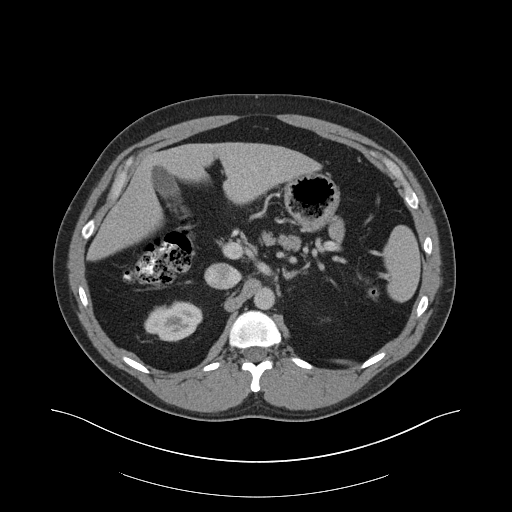
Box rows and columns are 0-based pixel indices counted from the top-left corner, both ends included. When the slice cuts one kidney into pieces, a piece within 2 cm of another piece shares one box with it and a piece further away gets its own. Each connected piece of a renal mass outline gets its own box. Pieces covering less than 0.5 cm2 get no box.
Slice 124/159 of a contrast-enhanced abdominal CT in the arterial phase, counting up from the lowest; pixel size 0.977 mm, slice thickness 3.00 mm. Right kidney at rows 301–341, columns 144–202 (outlined area 1,747 px, about 16.7 cm2). This slice carries no renal mass outline.
Acquired at 140 kVp and reconstructed with the B30f kernel.